Axial slice 134 of 207 of a contrast-enhanced abdominal CT in the arterial phase (slice 1 is the lowest), 120 kVp, kernel FC18; 2.00 mm slice thickness and 0.741 mm pixels.
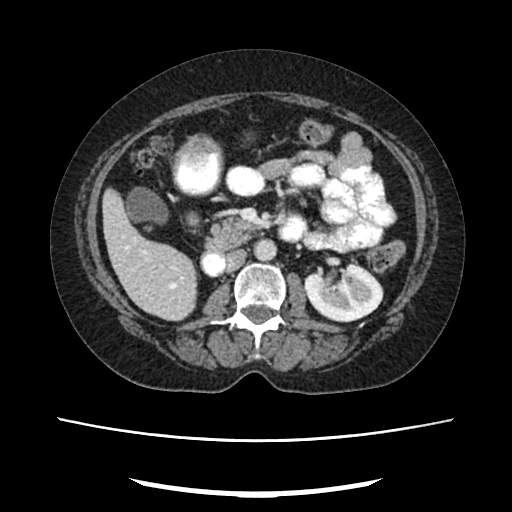
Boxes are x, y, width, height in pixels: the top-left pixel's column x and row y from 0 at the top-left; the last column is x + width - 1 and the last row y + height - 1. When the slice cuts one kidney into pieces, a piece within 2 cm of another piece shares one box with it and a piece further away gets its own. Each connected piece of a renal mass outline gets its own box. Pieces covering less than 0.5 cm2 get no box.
Left kidney at x 304, y 261, width 80, height 62 (outlined area 3,538 px, about 19.4 cm2). No renal mass outline on this slice.